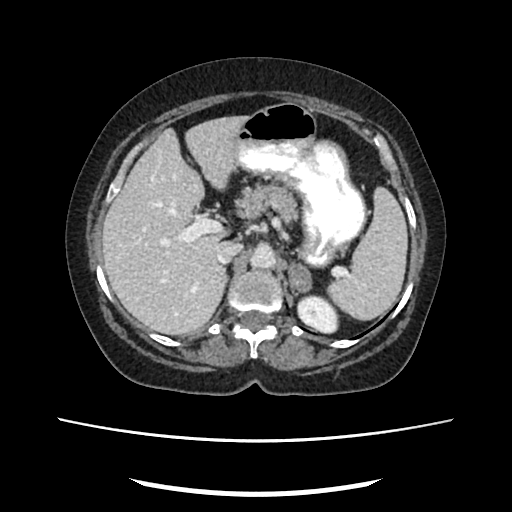
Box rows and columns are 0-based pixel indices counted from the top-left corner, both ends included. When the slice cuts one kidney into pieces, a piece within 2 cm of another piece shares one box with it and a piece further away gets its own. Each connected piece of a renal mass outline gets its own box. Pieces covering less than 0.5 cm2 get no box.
Arterial-phase contrast-enhanced abdominal CT, axial slice 160 of 207 (counted from the lowest slice); 2.00 mm thick, 0.741 mm per pixel. Left kidney, box rows 294–333, columns 296–339 (outlined area 1,283 px, about 7.0 cm2). This slice carries no renal mass outline.
Tube voltage 120 kVp; convolution kernel FC18.